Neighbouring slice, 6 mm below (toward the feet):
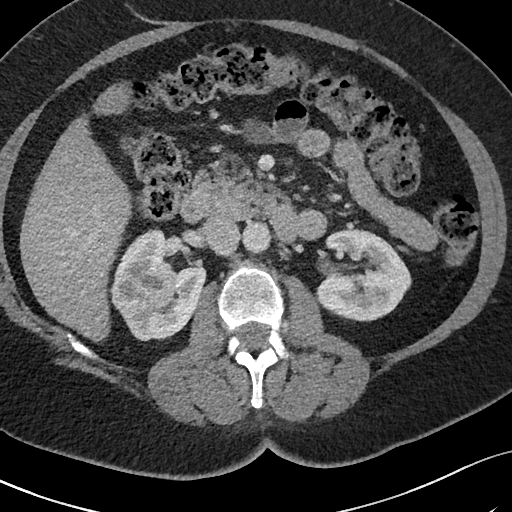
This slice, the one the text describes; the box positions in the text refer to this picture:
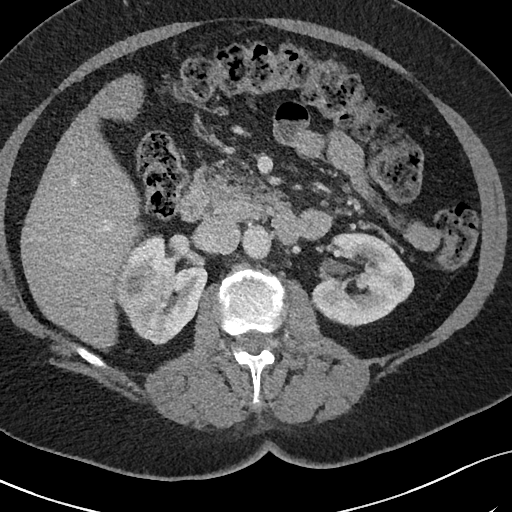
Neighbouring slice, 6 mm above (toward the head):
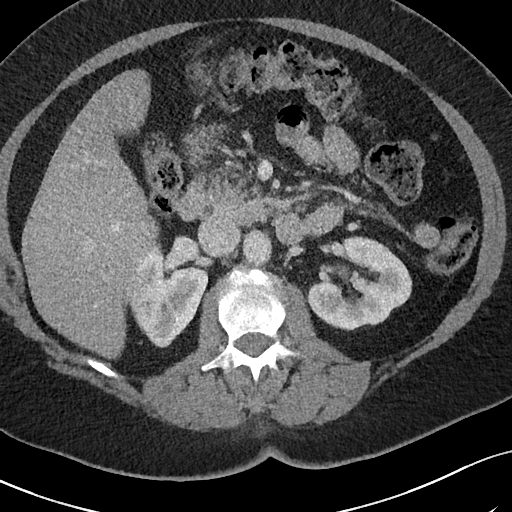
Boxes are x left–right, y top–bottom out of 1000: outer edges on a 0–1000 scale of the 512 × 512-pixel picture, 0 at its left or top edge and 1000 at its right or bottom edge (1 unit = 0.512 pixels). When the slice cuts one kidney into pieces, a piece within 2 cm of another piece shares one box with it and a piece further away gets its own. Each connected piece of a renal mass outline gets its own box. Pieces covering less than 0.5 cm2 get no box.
Arterial-phase contrast-enhanced abdominal CT, axial slice 44 of 69 (counted from the lowest slice); 3.00 mm thick, 0.664 mm per pixel. Two kidney boxes and one renal mass box on this slice; by box centre, from the image's left to its right: (1) Right renal mass at x 232–271, y 561–596 out of 1000 (outlined area 294 px, about 1.3 cm2). (2) Right kidney, box x 229–406, y 459–676 out of 1000 (outlined area 6,526 px, about 28.8 cm2). (3) Left kidney, box x 607–811, y 451–641 out of 1000 (outlined area 6,808 px, about 30.0 cm2). This slice is near the end of the right renal mass toward the head, so the slices 6 mm below and 6 mm above it are shown as well; the boxes refer to this slice only.
Acquired at 120 kVp and reconstructed with the I40f kernel.